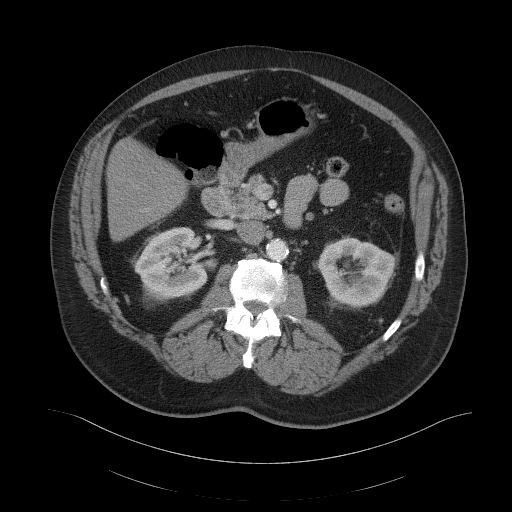
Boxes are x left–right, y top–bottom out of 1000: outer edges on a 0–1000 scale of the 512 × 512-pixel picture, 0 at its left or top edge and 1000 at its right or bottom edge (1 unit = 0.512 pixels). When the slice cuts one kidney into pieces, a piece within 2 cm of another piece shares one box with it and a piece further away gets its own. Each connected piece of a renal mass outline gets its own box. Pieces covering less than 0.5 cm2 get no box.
Slice 70/103 of a contrast-enhanced abdominal CT in the arterial phase, counting up from the lowest; pixel size 0.951 mm, slice thickness 5.00 mm. Two boxes on this slice (two kidney boxes), listed by box centre from the image's left to its right. (1) Right kidney at x 262–426, y 443–594 out of 1000 (outlined area 4,419 px, about 40.0 cm2). (2) Box x 619–771, y 463–600 out of 1000: left kidney (outlined area 4,044 px, about 36.6 cm2). This slice carries no renal mass outline.
Scan settings: 120 kVp, B41f reconstruction kernel.